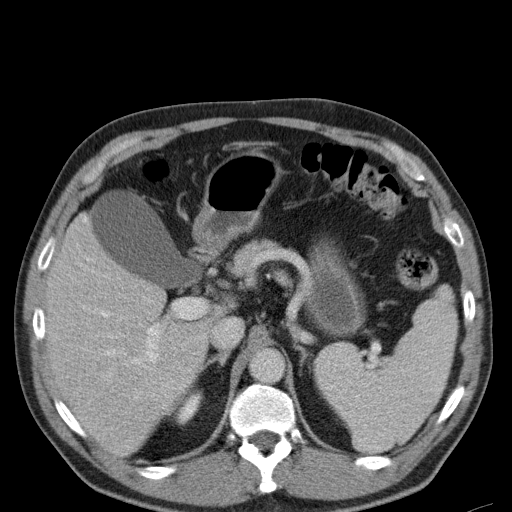
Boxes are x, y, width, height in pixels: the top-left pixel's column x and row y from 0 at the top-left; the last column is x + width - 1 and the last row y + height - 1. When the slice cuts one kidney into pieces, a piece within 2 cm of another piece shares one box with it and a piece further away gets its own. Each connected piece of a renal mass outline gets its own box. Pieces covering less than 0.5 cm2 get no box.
Slice 80/107 of a contrast-enhanced abdominal CT, counting up from the lowest; pixel size 0.730 mm, slice thickness 5.00 mm. Right kidney, box x 173, y 386, width 31, height 40 (outlined area 639 px, about 3.4 cm2). No renal mass is outlined on this slice.
Tube voltage 120 kVp; convolution kernel B31f.